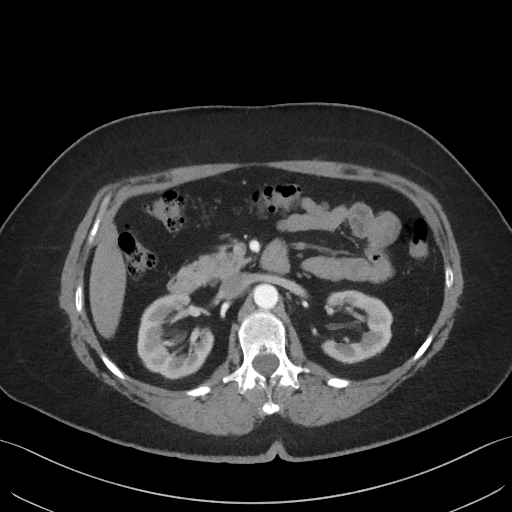
Axial slice 31 of 69 of a contrast-enhanced abdominal CT (slice 1 is the lowest), 140 kVp, kernel I41f; 3.00 mm slice thickness and 0.736 mm pixels.
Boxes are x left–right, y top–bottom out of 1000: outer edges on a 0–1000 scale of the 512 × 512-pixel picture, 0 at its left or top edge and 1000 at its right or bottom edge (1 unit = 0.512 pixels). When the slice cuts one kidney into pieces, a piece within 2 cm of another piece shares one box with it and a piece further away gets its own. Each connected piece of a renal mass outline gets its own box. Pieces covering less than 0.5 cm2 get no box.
Two kidney boxes on this slice; by box centre, from the image's left to its right: (1) Box x 268–420, y 574–742 out of 1000: right kidney (outlined area 4,559 px, about 24.7 cm2). (2) Left kidney at x 627–768, y 566–711 out of 1000 (outlined area 3,462 px, about 18.8 cm2). This slice carries no renal mass outline.